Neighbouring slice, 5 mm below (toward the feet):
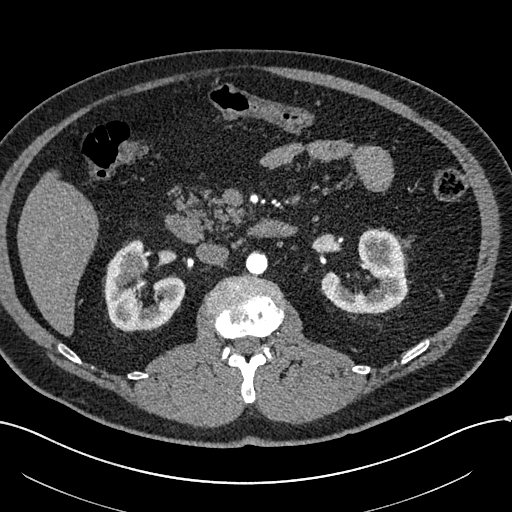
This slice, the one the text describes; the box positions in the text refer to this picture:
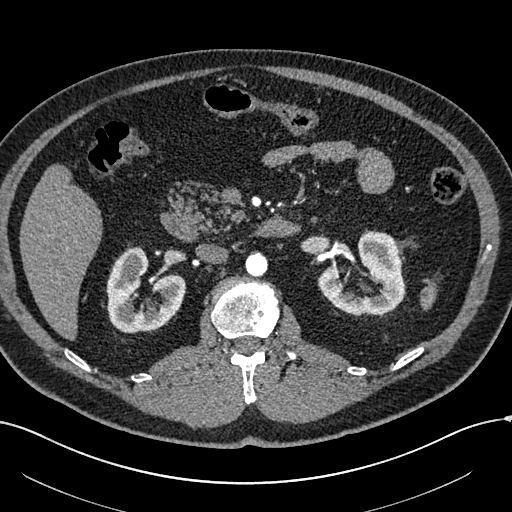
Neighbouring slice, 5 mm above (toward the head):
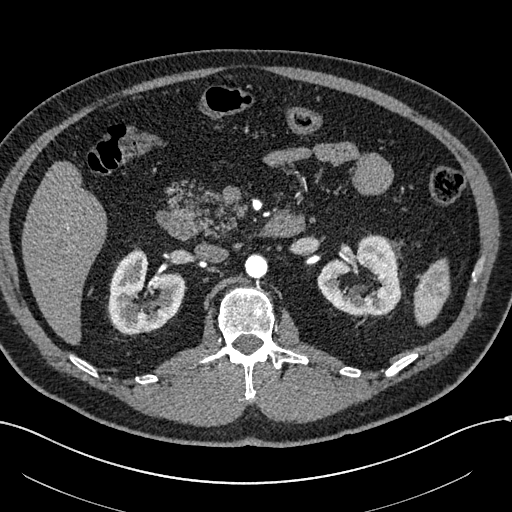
Arterial-phase contrast-enhanced abdominal CT, axial slice 353 of 602 (counted from the lowest slice); tube voltage 120 kVp, convolution kernel I30f; slices 1.00 mm thick, 0.799 mm per pixel.
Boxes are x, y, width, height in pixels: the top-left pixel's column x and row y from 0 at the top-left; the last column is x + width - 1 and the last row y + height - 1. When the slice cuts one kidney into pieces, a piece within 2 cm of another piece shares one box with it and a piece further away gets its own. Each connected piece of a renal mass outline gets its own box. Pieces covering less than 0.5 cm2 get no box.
Two kidney boxes and one renal mass box on this slice; by box centre, from the image's left to its right: (1) Box x 125, y 259, width 11, height 13: right renal mass (outlined area 115 px, about 0.7 cm2). (2) Right kidney at x 106, y 246, width 80, height 88 (outlined area 4,436 px, about 28.3 cm2). (3) Left kidney at x 318, y 231, width 88, height 84 (outlined area 4,742 px, about 30.3 cm2). This slice lies near the end of the right renal mass toward the head; the slices 5 mm below and 5 mm above it are shown too, and the boxes mark positions on this slice only.